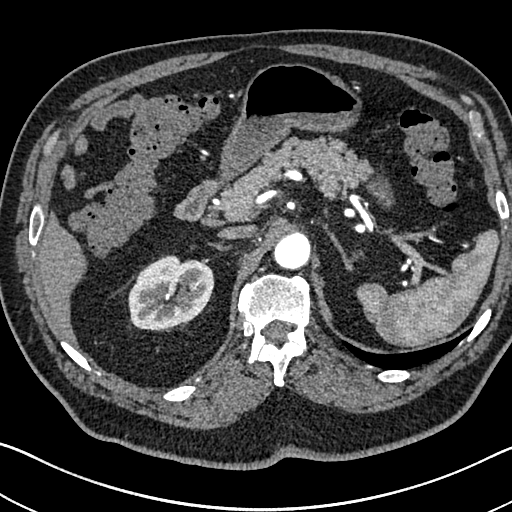
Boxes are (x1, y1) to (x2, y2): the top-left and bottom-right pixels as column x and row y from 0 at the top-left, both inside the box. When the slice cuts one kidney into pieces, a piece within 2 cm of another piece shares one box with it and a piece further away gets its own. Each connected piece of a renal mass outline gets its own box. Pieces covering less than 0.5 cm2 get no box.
Arterial-phase contrast-enhanced abdominal CT, axial slice 512 of 705 (counted from the lowest slice); 1.00 mm thick, 0.703 mm per pixel. Box (128, 255) to (214, 331): right kidney (outlined area 5,002 px, about 24.7 cm2). This slice carries no renal mass outline.
Scan settings: 120 kVp, I30f reconstruction kernel.